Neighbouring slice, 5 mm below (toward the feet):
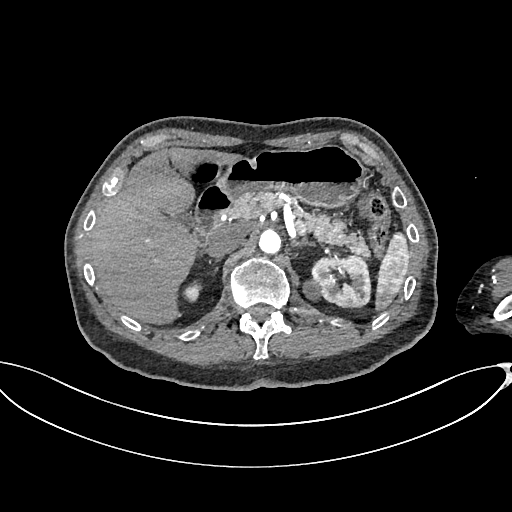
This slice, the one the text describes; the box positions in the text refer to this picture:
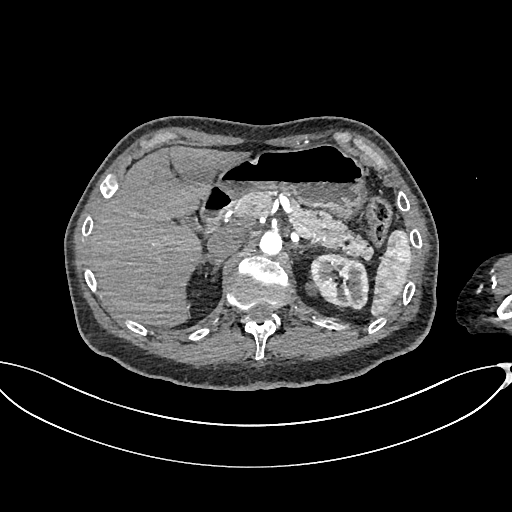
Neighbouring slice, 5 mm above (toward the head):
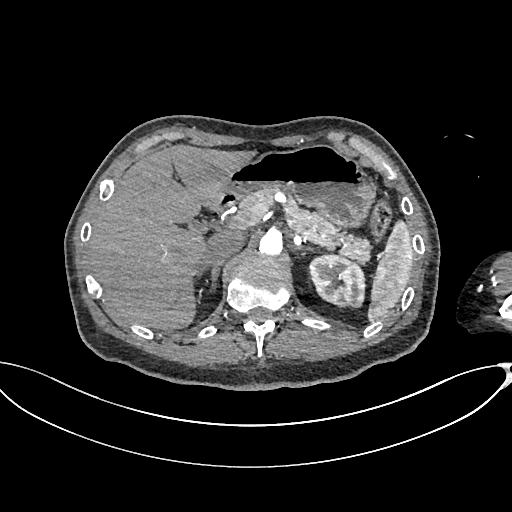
One axial slice (470 of 665, counting up from the lowest) of an arterial-phase abdominal CT acquired with 100 kVp, kernel I26f; each pixel is 0.828 mm and the slice is 1.00 mm thick.
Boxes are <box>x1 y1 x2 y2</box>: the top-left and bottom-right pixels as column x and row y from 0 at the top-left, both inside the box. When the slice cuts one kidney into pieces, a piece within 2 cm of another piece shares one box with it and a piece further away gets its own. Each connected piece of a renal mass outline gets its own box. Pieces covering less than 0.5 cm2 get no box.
Two boxes on this slice (one kidney box and one renal mass box), listed by box centre from the image's left to its right. (1) Left renal mass at <box>305 281 318 295</box> (outlined area 147 px, about 1.0 cm2). (2) Left kidney at <box>310 253 367 308</box> (outlined area 2,467 px, about 16.9 cm2). This slice is near the end of the left renal mass toward the head, so the slices 5 mm below and 5 mm above it are shown as well; the boxes refer to this slice only.